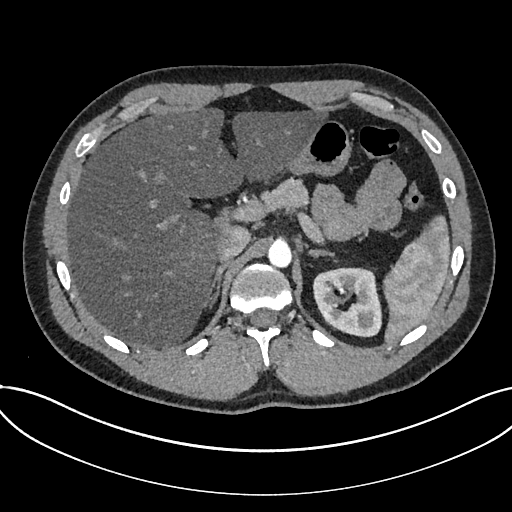
Arterial-phase contrast-enhanced abdominal CT, axial slice 532 of 735 (counted from the lowest slice); tube voltage 120 kVp, convolution kernel I30f; slices 1.00 mm thick, 0.789 mm per pixel.
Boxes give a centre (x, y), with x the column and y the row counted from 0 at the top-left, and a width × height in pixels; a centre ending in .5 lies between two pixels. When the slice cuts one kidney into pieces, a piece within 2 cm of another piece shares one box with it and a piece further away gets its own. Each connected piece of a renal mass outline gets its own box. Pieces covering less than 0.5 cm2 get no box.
Kidney in a box with centre (347, 302), 71 × 71 pixels (outlined area 3,816 px, about 23.8 cm2). No renal mass is outlined on this slice.